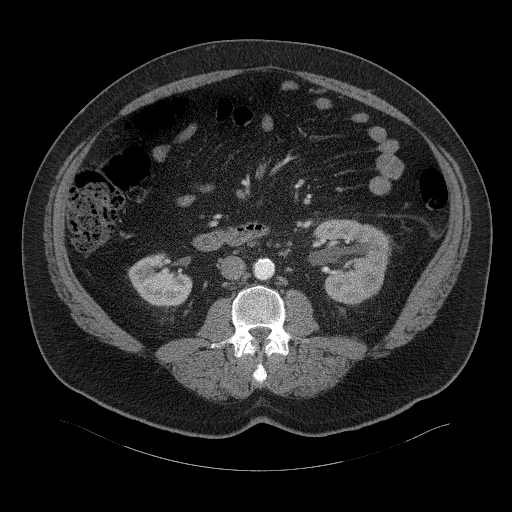
One axial slice (20 of 94, counting up from the lowest) of a contrast-enhanced abdominal CT acquired with 120 kVp, kernel B41f; each pixel is 0.977 mm and the slice is 3.00 mm thick.
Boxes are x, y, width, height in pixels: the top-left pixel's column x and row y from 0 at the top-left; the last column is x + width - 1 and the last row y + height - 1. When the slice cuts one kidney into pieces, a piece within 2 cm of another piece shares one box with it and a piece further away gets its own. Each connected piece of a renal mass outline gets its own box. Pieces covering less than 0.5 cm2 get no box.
Boxed on this slice (two kidney boxes), listed by box centre from the image's left to its right: (1) Right kidney at x 128, y 252, width 65, height 55 (outlined area 2,471 px, about 23.6 cm2). (2) Left kidney at x 312, y 219, width 80, height 87 (outlined area 5,123 px, about 48.9 cm2). This slice carries no renal mass outline.